Arterial-phase contrast-enhanced abdominal CT, axial slice 451 of 591 (counted from the lowest slice); tube voltage 140 kVp, convolution kernel I30f; slices 1.00 mm thick, 0.703 mm per pixel.
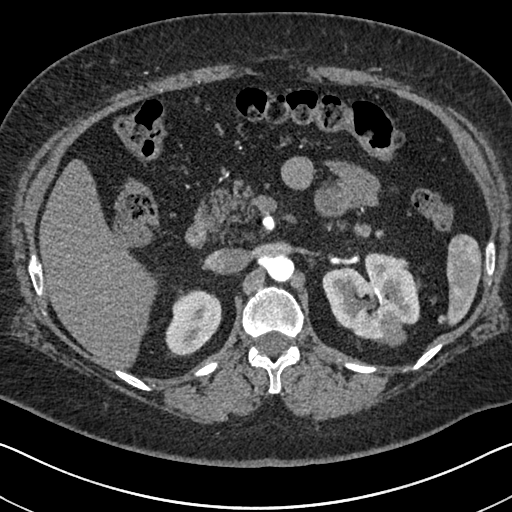
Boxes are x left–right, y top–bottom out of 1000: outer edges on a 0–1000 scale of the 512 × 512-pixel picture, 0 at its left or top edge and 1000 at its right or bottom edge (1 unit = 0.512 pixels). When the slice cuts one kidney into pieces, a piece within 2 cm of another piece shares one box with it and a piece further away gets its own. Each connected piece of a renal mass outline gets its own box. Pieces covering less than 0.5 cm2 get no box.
Three boxes on this slice (two kidney boxes and one renal mass box), listed by box centre from the image's left to its right. (1) Right kidney, box x 322–434, y 564–697 out of 1000 (outlined area 2,779 px, about 13.7 cm2). (2) Left kidney at x 629–820, y 490–668 out of 1000 (outlined area 5,832 px, about 28.8 cm2). (3) Left renal mass at x 740–795, y 607–678 out of 1000 (outlined area 728 px, about 3.6 cm2).